One axial slice (516 of 834, counting up from the lowest) of a contrast-enhanced abdominal CT acquired with 140 kVp, kernel I30f; each pixel is 0.977 mm and the slice is 1.00 mm thick.
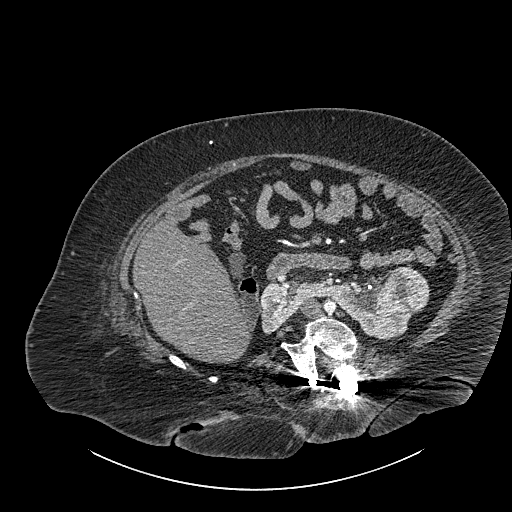
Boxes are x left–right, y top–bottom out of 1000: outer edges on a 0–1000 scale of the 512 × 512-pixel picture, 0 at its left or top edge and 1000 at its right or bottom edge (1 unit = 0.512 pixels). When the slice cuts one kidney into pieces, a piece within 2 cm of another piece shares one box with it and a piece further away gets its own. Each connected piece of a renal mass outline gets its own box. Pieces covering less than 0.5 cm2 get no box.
Boxed on this slice (one kidney box and one renal mass box), listed by box centre from the image's left to its right: (1) Box x 508–811, y 539–664 out of 1000: kidney crossing the body midline (outlined area 4,773 px, about 45.5 cm2). (2) Renal mass at x 748–840, y 521–613 out of 1000 (outlined area 1,816 px, about 17.3 cm2).